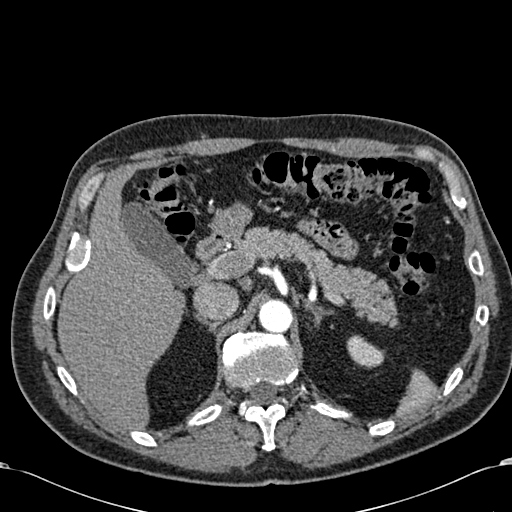
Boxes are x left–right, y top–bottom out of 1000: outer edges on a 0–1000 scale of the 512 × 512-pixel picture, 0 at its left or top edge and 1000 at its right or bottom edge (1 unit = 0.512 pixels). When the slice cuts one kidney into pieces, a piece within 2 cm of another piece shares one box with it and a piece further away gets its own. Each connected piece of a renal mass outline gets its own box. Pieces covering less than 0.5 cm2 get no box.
Slice 448/581 of a contrast-enhanced abdominal CT in the arterial phase, counting up from the lowest; pixel size 0.713 mm, slice thickness 1.00 mm. Box x 676–752, y 654–721 out of 1000: left kidney (outlined area 840 px, about 4.3 cm2). No renal mass is outlined on this slice.
Tube voltage 120 kVp; convolution kernel B30f.